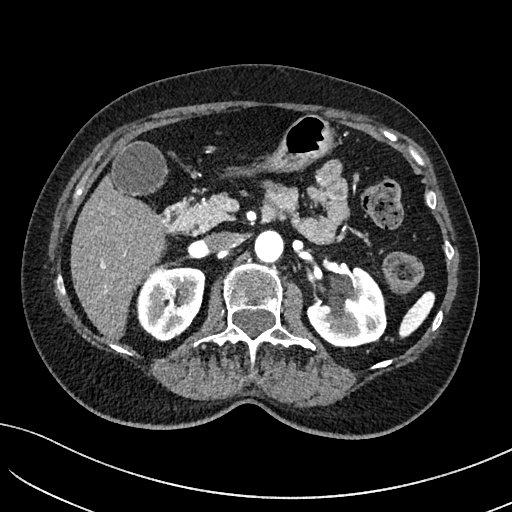
Axial slice 80 of 234 of a contrast-enhanced abdominal CT in the arterial phase (slice 1 is the lowest), 100 kVp, kernel I40f; 2.00 mm slice thickness and 0.699 mm pixels.
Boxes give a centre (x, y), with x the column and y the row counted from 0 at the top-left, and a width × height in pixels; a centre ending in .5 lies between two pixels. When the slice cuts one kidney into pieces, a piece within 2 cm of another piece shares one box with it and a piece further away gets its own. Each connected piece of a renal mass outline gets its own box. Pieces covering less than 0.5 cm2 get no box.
Boxed on this slice (two kidney boxes), listed by box centre from the image's left to its right: (1) Right kidney, box centre (170.5, 304), 70 × 75 pixels (outlined area 3,996 px, about 19.5 cm2). (2) Left kidney in a box with centre (346, 307), 81 × 83 pixels (outlined area 4,527 px, about 22.1 cm2). No renal mass is outlined on this slice.